Arterial-phase contrast-enhanced abdominal CT, axial slice 464 of 723 (counted from the lowest slice); tube voltage 120 kVp, convolution kernel B30f; slices 1.00 mm thick, 0.895 mm per pixel.
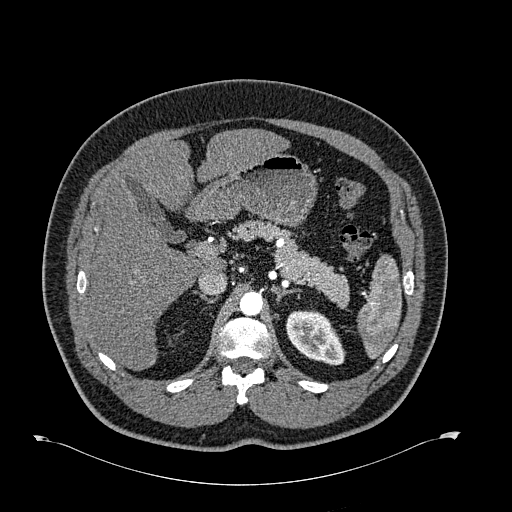
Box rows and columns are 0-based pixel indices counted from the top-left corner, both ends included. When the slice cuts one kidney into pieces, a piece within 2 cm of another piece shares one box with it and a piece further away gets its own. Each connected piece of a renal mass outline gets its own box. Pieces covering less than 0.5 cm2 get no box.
Box rows 310–365, columns 285–345: left kidney (outlined area 2,327 px, about 18.6 cm2). No renal mass is outlined on this slice.